Abdominal CT with intravenous contrast, arterial phase, axial plane, 120 kVp, kernel I30f. Slice 388/683 from the bottom of the scan; thickness 1.00 mm; pixel size 0.738 mm.
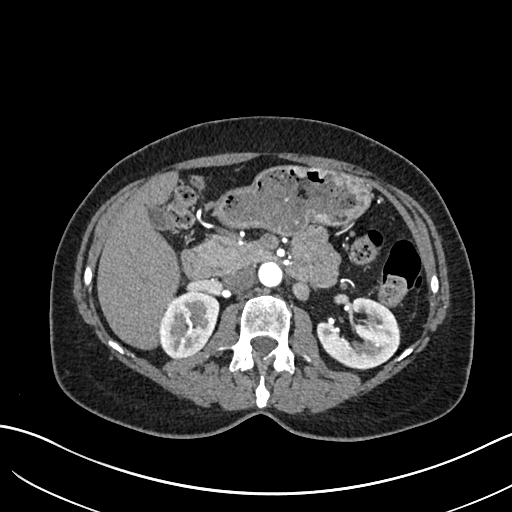
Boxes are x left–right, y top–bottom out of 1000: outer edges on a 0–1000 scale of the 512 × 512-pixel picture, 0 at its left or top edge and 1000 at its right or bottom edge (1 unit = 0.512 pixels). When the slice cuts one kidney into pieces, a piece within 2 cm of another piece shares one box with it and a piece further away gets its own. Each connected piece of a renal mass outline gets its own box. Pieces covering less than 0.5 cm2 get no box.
Two boxes on this slice (two kidney boxes), listed by box centre from the image's left to its right. (1) Right kidney at x 311–430, y 568–701 out of 1000 (outlined area 3,148 px, about 17.2 cm2). (2) Left kidney, box x 619–783, y 580–721 out of 1000 (outlined area 3,963 px, about 21.6 cm2). This slice carries no renal mass outline.